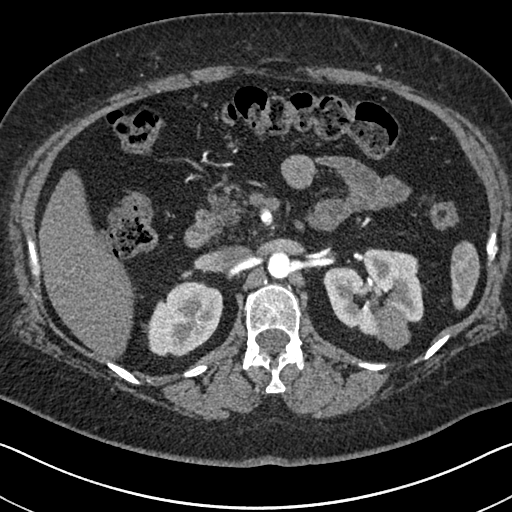
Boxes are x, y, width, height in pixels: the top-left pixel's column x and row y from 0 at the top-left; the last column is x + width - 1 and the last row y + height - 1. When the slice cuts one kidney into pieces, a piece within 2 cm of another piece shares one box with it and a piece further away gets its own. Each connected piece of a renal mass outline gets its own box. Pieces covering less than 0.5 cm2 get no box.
Slice 440/591 of a contrast-enhanced abdominal CT in the arterial phase, counting up from the lowest; pixel size 0.703 mm, slice thickness 1.00 mm. Boxed on this slice (two kidney boxes and one renal mass box), listed by box centre from the image's left to its right: (1) Right kidney at x 143, y 281, width 81, height 76 (outlined area 4,329 px, about 21.4 cm2). (2) Left kidney at x 323, y 248, width 101, height 90 (outlined area 5,677 px, about 28.1 cm2). (3) Left renal mass at x 374, y 305, width 37, height 45 (outlined area 1,222 px, about 6.0 cm2).
Tube voltage 140 kVp; convolution kernel I30f.